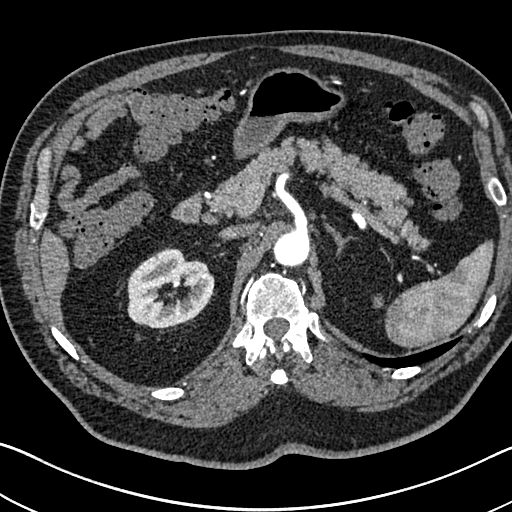
Abdominal CT with intravenous contrast, arterial phase, axial plane, 120 kVp, kernel I30f. Slice 499/705 from the bottom of the scan; thickness 1.00 mm; pixel size 0.703 mm.
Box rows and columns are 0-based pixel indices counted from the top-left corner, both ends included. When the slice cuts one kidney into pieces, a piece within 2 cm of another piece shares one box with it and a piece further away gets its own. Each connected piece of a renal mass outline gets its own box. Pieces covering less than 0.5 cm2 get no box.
Box rows 248–330, columns 127–214: right kidney (outlined area 5,086 px, about 25.1 cm2). No renal mass outline on this slice.